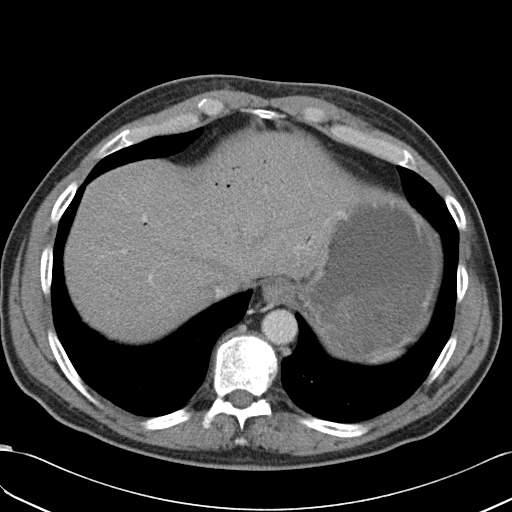
Arterial-phase contrast-enhanced abdominal CT, axial slice 41 of 49 (counted from the lowest slice); 5.00 mm thick, 0.691 mm per pixel. This slice carries no outline: it lies beyond the outlined kidneys and beyond every outlined renal mass. Other organs are not outlined in this scan.
Acquired at 120 kVp and reconstructed with the B31f kernel.